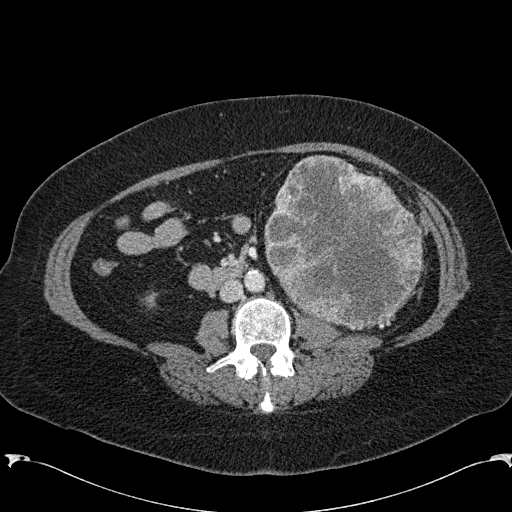
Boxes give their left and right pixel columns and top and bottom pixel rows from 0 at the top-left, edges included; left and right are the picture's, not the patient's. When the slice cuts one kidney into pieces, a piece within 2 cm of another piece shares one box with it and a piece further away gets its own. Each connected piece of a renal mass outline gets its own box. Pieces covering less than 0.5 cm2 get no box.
This is axial slice 89 of 285 (slice 1 is the lowest) of an arterial-phase abdominal CT with contrast; each pixel is 0.762 mm and the slice is 2.00 mm thick. One kidney box and one renal mass box on this slice; by box centre, from the image's left to its right: (1) Box with left 141, top 292, right 157, bottom 309: right kidney (outlined area 170 px, about 1.0 cm2). (2) Box with left 264, top 155, right 423, bottom 330: left renal mass (outlined area 20,914 px, about 121.3 cm2); here it is more than 1 cm from any kidney outline, though on another slice the same outlined renal mass lies within 1 cm of the kidney.
Scan settings: 120 kVp, B31f reconstruction kernel.